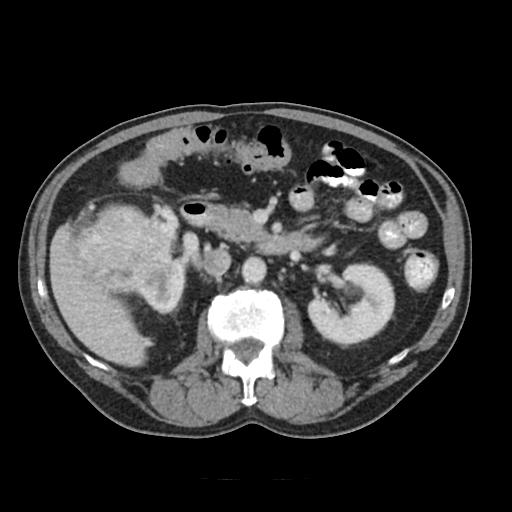
Abdominal CT with intravenous contrast, axial plane, 120 kVp, kernel FC18. Slice 62/91 from the bottom of the scan; thickness 5.00 mm; pixel size 0.766 mm.
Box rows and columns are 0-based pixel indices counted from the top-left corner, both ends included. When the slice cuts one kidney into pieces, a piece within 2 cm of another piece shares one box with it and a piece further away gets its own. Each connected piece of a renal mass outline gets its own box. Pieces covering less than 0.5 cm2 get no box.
Boxed on this slice (two kidney boxes and one renal mass box), listed by box centre from the image's left to its right: (1) Box rows 202–292, columns 80–173: right renal mass (outlined area 6,363 px, about 37.3 cm2). (2) Right kidney at rows 260–313, columns 137–183 (outlined area 1,300 px, about 7.6 cm2). (3) Left kidney, box rows 264–348, columns 307–395 (outlined area 5,158 px, about 30.3 cm2).